Axial slice 111 of 301 of a contrast-enhanced abdominal CT (slice 1 is the lowest), 120 kVp, kernel I40f; 2.00 mm slice thickness and 0.859 mm pixels.
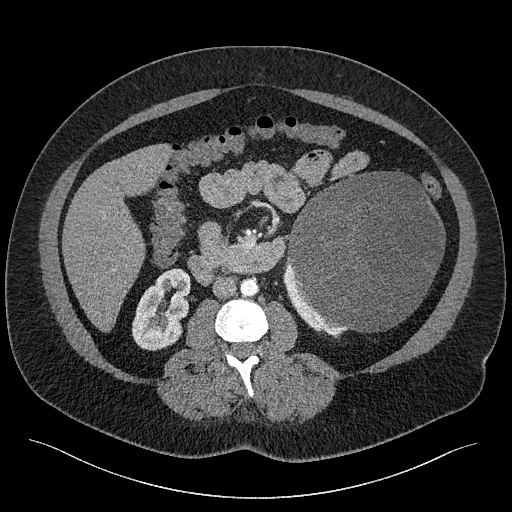
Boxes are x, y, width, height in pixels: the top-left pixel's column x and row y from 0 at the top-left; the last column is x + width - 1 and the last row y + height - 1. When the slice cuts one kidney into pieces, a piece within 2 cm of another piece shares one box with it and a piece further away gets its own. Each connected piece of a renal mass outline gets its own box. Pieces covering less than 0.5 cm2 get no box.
Three boxes on this slice (two kidney boxes and one renal mass box), listed by box centre from the image's left to its right. (1) Right kidney, box x 131, y 268, width 60, height 83 (outlined area 3,453 px, about 25.5 cm2). (2) Box x 283, y 261, width 66, height 78: left kidney (outlined area 998 px, about 7.4 cm2). (3) Left renal mass, box x 286, y 171, width 160, height 162 (outlined area 19,644 px, about 145.1 cm2).